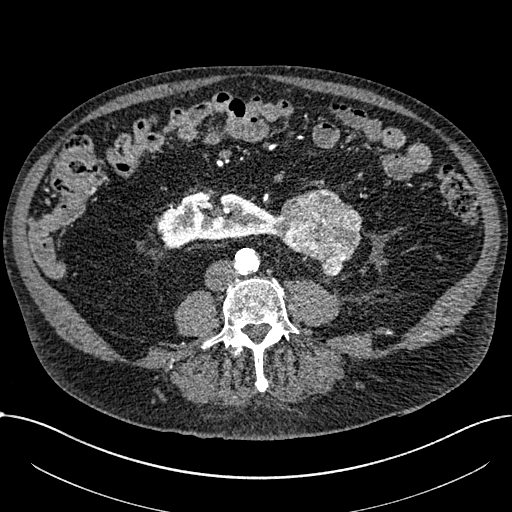
Arterial-phase contrast-enhanced abdominal CT, axial slice 262 of 1059 (counted from the lowest slice); tube voltage 100 kVp, convolution kernel I30f; slices 1.00 mm thick, 0.811 mm per pixel.
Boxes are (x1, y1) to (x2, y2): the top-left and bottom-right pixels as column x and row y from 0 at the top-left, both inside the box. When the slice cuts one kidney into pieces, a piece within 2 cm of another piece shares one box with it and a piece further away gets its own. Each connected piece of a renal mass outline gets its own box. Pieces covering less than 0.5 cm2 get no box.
One kidney box and one renal mass box on this slice; by box centre, from the image's left to its right: (1) Right part of the midline-crossing kidney, box (157, 191) to (275, 247) (outlined area 4,520 px, about 29.7 cm2). (2) Box (274, 187) to (362, 276): renal mass (outlined area 5,142 px, about 33.8 cm2).